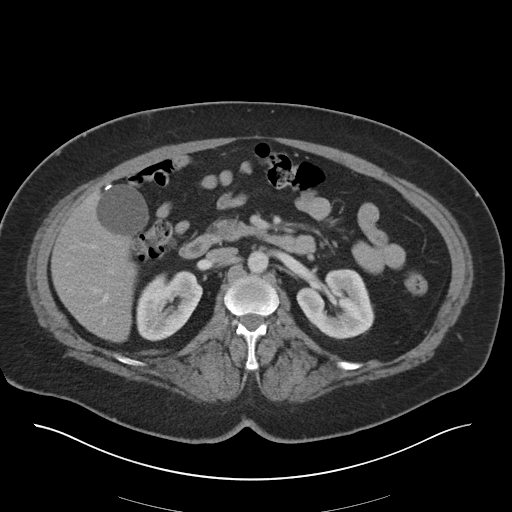
Arterial-phase contrast-enhanced abdominal CT, axial slice 19 of 36 (counted from the lowest slice); tube voltage 140 kVp, convolution kernel I30f; slices 5.00 mm thick, 0.906 mm per pixel.
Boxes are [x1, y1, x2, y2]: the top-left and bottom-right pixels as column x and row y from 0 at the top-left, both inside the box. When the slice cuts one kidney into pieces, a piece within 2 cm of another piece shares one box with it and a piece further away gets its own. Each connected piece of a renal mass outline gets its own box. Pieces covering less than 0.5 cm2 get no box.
Boxed on this slice (two kidney boxes), listed by box centre from the image's left to its right: (1) Right kidney at [136, 270, 202, 341] (outlined area 3,394 px, about 27.9 cm2). (2) Box [296, 269, 374, 339]: left kidney (outlined area 3,960 px, about 32.5 cm2). No renal mass is outlined on this slice.